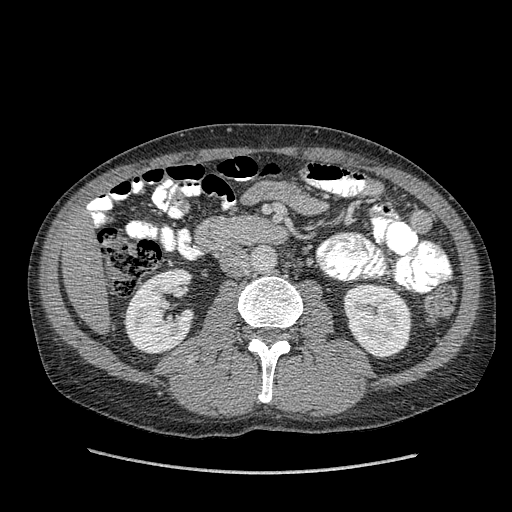
Abdominal CT with intravenous contrast, arterial phase, axial plane, 120 kVp, kernel STANDARD. Slice 190/349 from the bottom of the scan; thickness 1.25 mm; pixel size 0.742 mm.
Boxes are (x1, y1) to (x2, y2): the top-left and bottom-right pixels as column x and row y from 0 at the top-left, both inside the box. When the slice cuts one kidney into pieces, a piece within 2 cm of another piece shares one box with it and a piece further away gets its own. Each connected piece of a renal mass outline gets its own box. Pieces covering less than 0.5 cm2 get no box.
Two boxes on this slice (two kidney boxes), listed by box centre from the image's left to its right. (1) Right kidney, box (123, 268) to (195, 354) (outlined area 4,402 px, about 24.2 cm2). (2) Box (343, 283) to (411, 358): left kidney (outlined area 4,063 px, about 22.4 cm2). No renal mass is outlined on this slice.